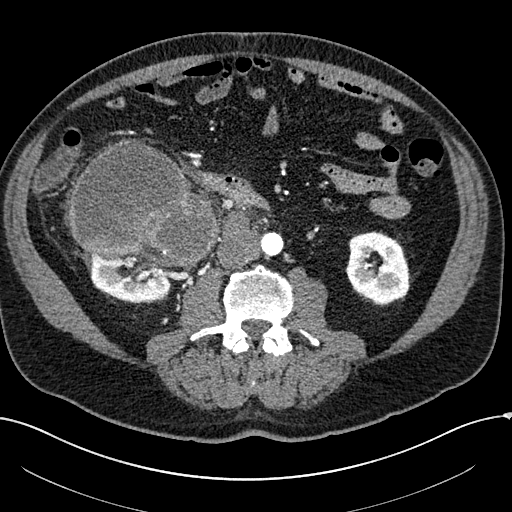
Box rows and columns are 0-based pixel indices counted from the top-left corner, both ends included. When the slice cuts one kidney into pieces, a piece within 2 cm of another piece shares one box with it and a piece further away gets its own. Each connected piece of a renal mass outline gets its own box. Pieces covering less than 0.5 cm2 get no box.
Arterial-phase contrast-enhanced abdominal CT, axial slice 71 of 304 (counted from the lowest slice); 2.00 mm thick, 0.809 mm per pixel. Two kidney boxes and one renal mass box on this slice; by box centre, from the image's left to its right: (1) Right kidney, box rows 251–302, columns 85–172 (outlined area 3,139 px, about 20.5 cm2). (2) Box rows 138–270, columns 68–218: right renal mass (outlined area 13,927 px, about 91.1 cm2). (3) Left kidney, box rows 232–305, columns 345–408 (outlined area 3,567 px, about 23.3 cm2).
Acquired at 100 kVp and reconstructed with the I30f kernel.